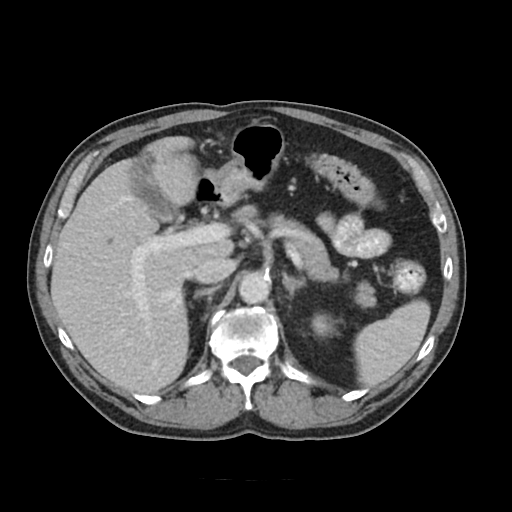
Axial slice 70 of 91 of a contrast-enhanced abdominal CT (slice 1 is the lowest), 120 kVp, kernel FC18; 5.00 mm slice thickness and 0.766 mm pixels.
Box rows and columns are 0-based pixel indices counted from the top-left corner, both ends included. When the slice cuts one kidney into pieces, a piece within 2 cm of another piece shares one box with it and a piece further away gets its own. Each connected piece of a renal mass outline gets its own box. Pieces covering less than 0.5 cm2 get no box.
Left kidney at rows 313–332, columns 311–330 (outlined area 344 px, about 2.0 cm2). This slice carries no renal mass outline.